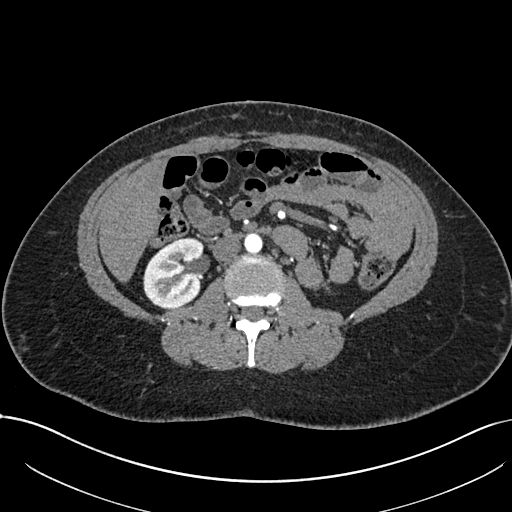
Arterial-phase contrast-enhanced abdominal CT, axial slice 379 of 738 (counted from the lowest slice); tube voltage 120 kVp, convolution kernel I30f; slices 1.00 mm thick, 0.789 mm per pixel.
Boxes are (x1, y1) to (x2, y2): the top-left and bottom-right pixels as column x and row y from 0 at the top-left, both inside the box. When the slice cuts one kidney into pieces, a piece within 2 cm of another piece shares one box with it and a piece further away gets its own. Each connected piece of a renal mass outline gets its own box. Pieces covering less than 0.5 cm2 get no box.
Box (143, 237) to (203, 308): right kidney (outlined area 3,389 px, about 21.1 cm2). This slice carries no renal mass outline.